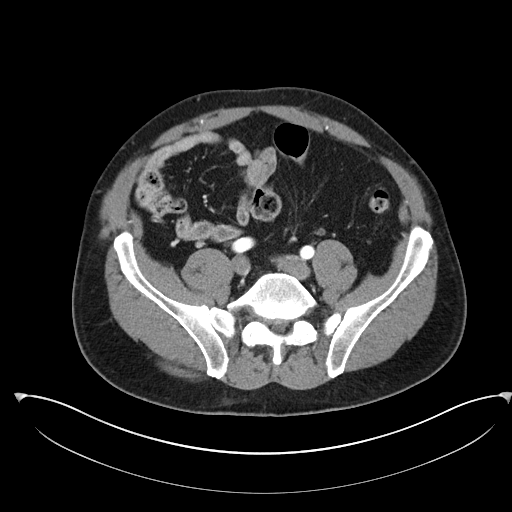
Abdominal CT with intravenous contrast, arterial phase, axial plane, 100 kVp, kernel I30f. Slice 85/302 from the bottom of the scan; thickness 5.00 mm; pixel size 0.875 mm.
Neither a kidney nor a renal mass is outlined here. Only kidneys and renal masses are outlined anywhere in this scan; other structures are never outlined.